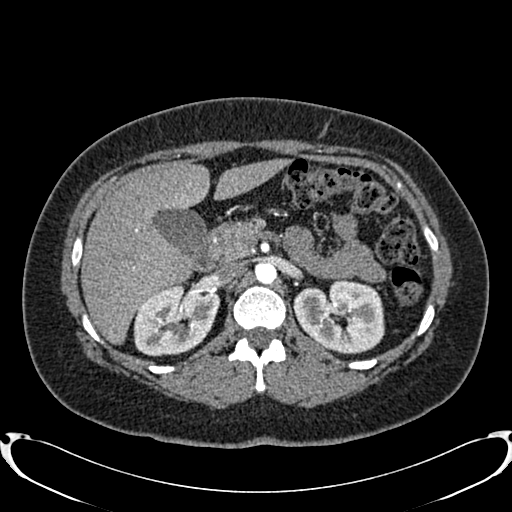
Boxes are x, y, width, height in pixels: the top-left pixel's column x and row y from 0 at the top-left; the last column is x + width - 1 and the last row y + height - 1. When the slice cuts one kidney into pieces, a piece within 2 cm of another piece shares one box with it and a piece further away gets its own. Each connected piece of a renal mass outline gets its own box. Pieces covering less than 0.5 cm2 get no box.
Slice 524/719 of a contrast-enhanced abdominal CT in the arterial phase, counting up from the lowest; pixel size 0.766 mm, slice thickness 1.00 mm. Boxed on this slice (two kidney boxes), listed by box centre from the image's left to its right: (1) Box x 133, y 284, width 87, height 73: right kidney (outlined area 4,745 px, about 27.8 cm2). (2) Left kidney at x 293, y 278, width 92, height 77 (outlined area 5,242 px, about 30.7 cm2). This slice carries no renal mass outline.
Scan settings: 120 kVp, B20f reconstruction kernel.